Abdominal CT with intravenous contrast, arterial phase, axial plane, 120 kVp, kernel B20f. Slice 377/634 from the bottom of the scan; thickness 1.00 mm; pixel size 0.838 mm.
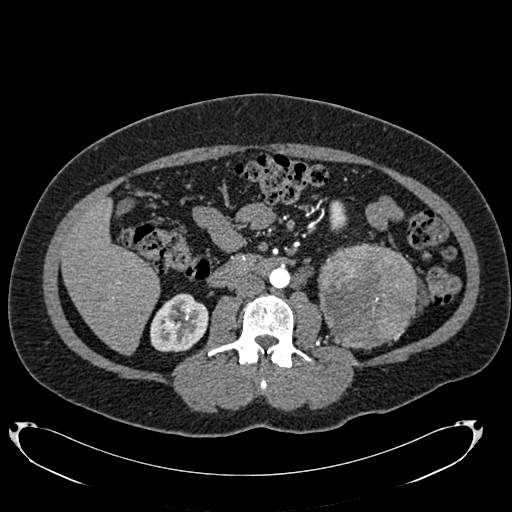
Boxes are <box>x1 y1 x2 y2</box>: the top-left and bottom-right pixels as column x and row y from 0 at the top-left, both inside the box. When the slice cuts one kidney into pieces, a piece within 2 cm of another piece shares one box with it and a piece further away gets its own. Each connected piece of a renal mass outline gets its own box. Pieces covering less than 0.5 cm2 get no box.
Boxed on this slice (two kidney boxes and one renal mass box), listed by box centre from the image's left to its right: (1) Right kidney: <box>150 293 208 351</box> (outlined area 2,633 px, about 18.5 cm2). (2) Left kidney at <box>329 200 347 232</box> (outlined area 469 px, about 3.3 cm2). (3) Left renal mass: <box>317 242 418 349</box> (outlined area 8,568 px, about 60.2 cm2); here it is more than 1 cm from any kidney outline, though on another slice the same outlined renal mass lies within 1 cm of the kidney.